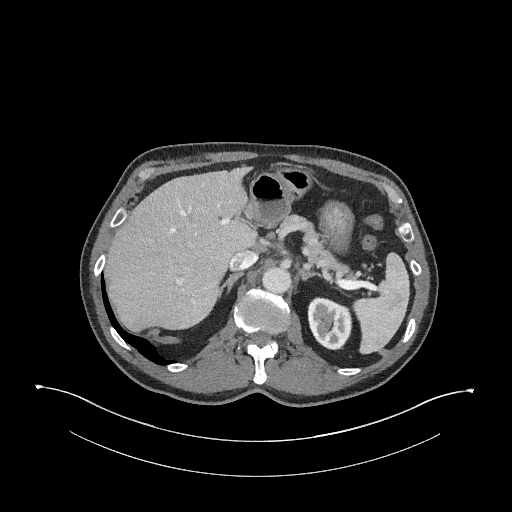
Arterial-phase contrast-enhanced abdominal CT, axial slice 180 of 345 (counted from the lowest slice); tube voltage 120 kVp, convolution kernel I31f; slices 2.00 mm thick, 0.977 mm per pixel.
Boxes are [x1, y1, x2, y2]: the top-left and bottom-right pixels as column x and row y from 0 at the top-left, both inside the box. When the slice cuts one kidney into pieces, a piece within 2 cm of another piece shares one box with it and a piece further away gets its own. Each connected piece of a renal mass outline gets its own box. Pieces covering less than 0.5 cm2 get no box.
Box [307, 297, 352, 350]: left kidney (outlined area 1,870 px, about 17.8 cm2). No renal mass outline on this slice.